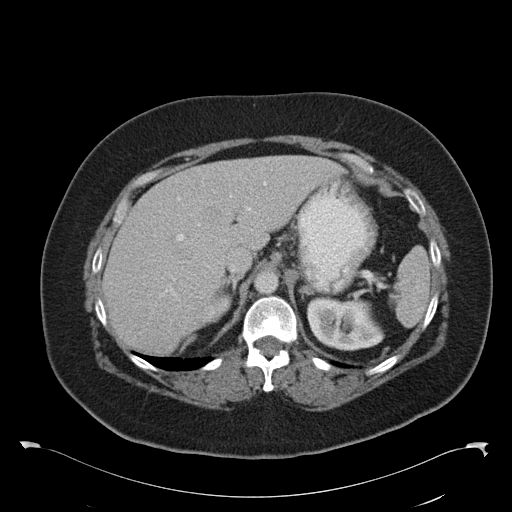
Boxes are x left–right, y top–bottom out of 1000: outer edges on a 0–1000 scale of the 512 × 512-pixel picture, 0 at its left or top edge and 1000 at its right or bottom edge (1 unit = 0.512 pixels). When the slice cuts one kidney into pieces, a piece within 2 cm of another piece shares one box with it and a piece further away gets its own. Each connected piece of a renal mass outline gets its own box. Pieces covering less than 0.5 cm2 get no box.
Arterial-phase contrast-enhanced abdominal CT, axial slice 74 of 97 (counted from the lowest slice); 5.00 mm thick, 0.824 mm per pixel. Two boxes on this slice (two kidney boxes), listed by box centre from the image's left to its right. (1) Box x 396–455, y 574–631 out of 1000: right kidney (outlined area 549 px, about 3.7 cm2). (2) Left kidney, box x 598–752, y 578–686 out of 1000 (outlined area 3,279 px, about 22.3 cm2). This slice carries no renal mass outline.
Scan settings: 120 kVp, B30f reconstruction kernel.